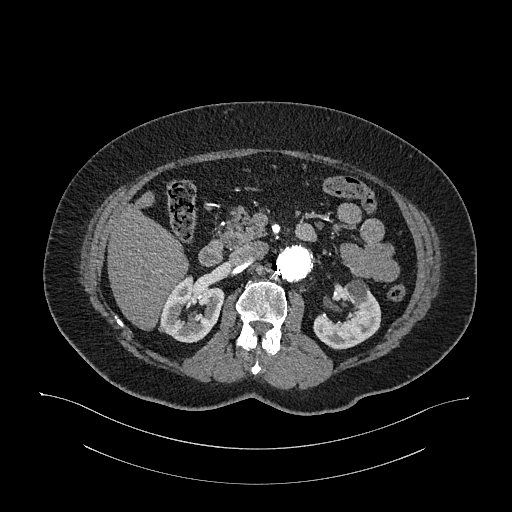
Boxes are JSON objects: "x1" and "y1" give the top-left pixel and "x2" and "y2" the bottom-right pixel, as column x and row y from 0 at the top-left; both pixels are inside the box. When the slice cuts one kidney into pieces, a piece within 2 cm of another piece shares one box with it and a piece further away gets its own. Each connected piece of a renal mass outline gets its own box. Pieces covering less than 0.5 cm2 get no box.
Slice 672/987 of a contrast-enhanced abdominal CT in the arterial phase, counting up from the lowest; pixel size 0.977 mm, slice thickness 1.00 mm. Two kidney boxes on this slice; by box centre, from the image's left to its right: (1) Right kidney at {"x1": 158, "y1": 275, "x2": 223, "y2": 342} (outlined area 3,005 px, about 28.7 cm2). (2) Left kidney at {"x1": 313, "y1": 279, "x2": 381, "y2": 349} (outlined area 3,030 px, about 28.9 cm2). No renal mass outline on this slice.
Tube voltage 120 kVp; convolution kernel I26f.